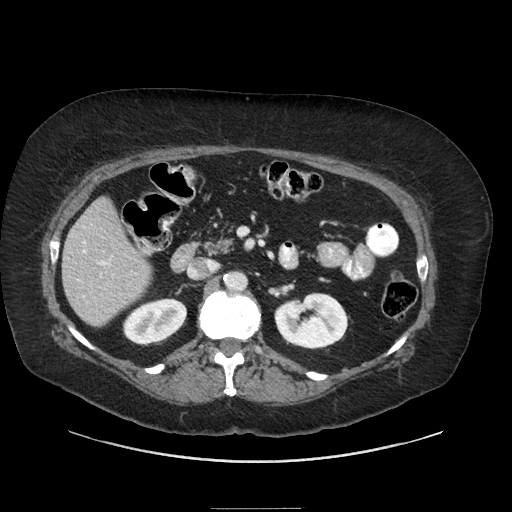
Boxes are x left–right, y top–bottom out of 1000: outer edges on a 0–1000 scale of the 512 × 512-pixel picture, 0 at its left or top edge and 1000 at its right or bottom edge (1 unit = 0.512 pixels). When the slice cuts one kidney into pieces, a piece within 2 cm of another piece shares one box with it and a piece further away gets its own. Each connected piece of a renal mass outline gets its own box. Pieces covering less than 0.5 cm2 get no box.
Contrast-enhanced abdominal CT, axial slice 132 of 186 (counted from the lowest slice); 2.50 mm thick, 0.850 mm per pixel. Boxed on this slice (two kidney boxes), listed by box centre from the image's left to its right: (1) Right kidney at x 238–367, y 582–676 out of 1000 (outlined area 2,293 px, about 16.6 cm2). (2) Left kidney at x 535–682, y 570–684 out of 1000 (outlined area 3,289 px, about 23.7 cm2). This slice carries no renal mass outline.
Scan settings: 120 kVp, STANDARD reconstruction kernel.